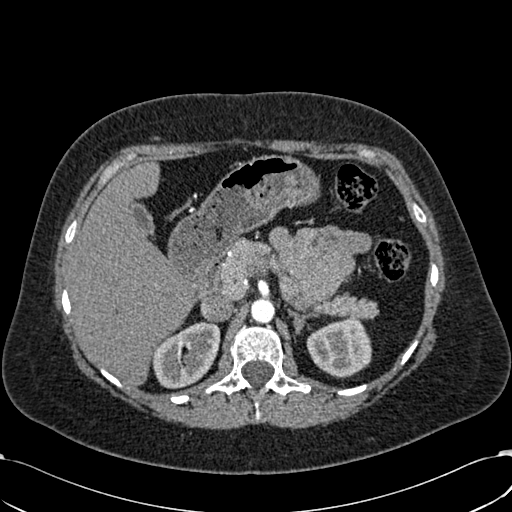
Arterial-phase contrast-enhanced abdominal CT, axial slice 424 of 532 (counted from the lowest slice); tube voltage 120 kVp, convolution kernel B30f; slices 1.00 mm thick, 0.713 mm per pixel.
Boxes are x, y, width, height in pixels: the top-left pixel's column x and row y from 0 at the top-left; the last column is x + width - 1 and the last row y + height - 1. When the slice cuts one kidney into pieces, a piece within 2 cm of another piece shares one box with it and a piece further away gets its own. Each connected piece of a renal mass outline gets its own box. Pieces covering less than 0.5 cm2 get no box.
Two kidney boxes on this slice; by box centre, from the image's left to its right: (1) Box x 151, y 321, width 70, height 68: right kidney (outlined area 3,319 px, about 16.9 cm2). (2) Left kidney at x 306, y 318, width 67, height 60 (outlined area 2,949 px, about 15.0 cm2). This slice carries no renal mass outline.